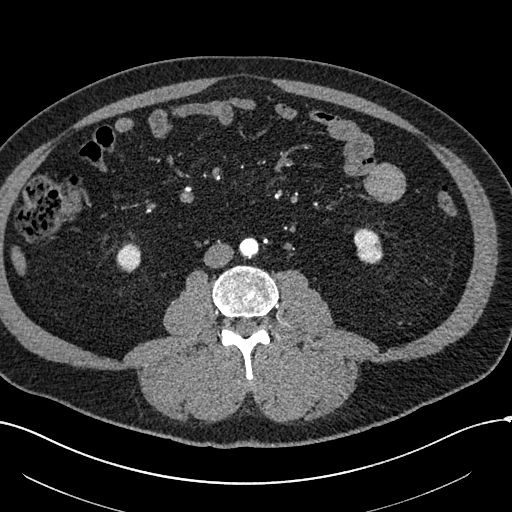
Arterial-phase contrast-enhanced abdominal CT, axial slice 212 of 602 (counted from the lowest slice); tube voltage 120 kVp, convolution kernel I30f; slices 1.00 mm thick, 0.799 mm per pixel.
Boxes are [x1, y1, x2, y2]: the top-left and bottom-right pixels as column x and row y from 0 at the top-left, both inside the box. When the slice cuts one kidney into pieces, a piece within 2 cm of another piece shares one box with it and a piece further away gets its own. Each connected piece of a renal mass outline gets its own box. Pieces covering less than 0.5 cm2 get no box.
Two boxes on this slice (two kidney boxes), listed by box centre from the image's left to its right. (1) Right kidney, box [116, 242, 140, 272] (outlined area 588 px, about 3.8 cm2). (2) Box [354, 227, 383, 263]: left kidney (outlined area 831 px, about 5.3 cm2). No renal mass is outlined on this slice.